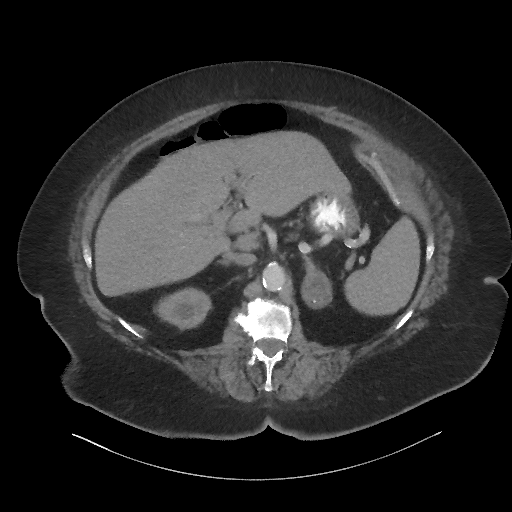
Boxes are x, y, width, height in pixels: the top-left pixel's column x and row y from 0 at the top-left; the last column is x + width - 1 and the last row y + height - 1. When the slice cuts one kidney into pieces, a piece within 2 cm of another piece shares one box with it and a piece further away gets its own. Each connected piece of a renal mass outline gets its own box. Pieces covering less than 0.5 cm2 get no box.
Slice 49/86 of a contrast-enhanced abdominal CT, counting up from the lowest; pixel size 0.977 mm, slice thickness 3.00 mm. Right kidney, box x 154, y 287, width 58, height 44 (outlined area 1,701 px, about 16.2 cm2). No renal mass outline on this slice.
Tube voltage 140 kVp; convolution kernel I44f.